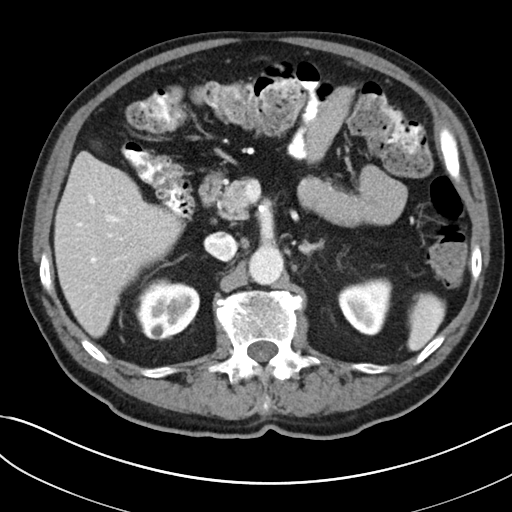
One axial slice (140 of 269, counting up from the lowest) of a contrast-enhanced abdominal CT acquired with 100 kVp, kernel I30f; each pixel is 0.732 mm and the slice is 5.00 mm thick.
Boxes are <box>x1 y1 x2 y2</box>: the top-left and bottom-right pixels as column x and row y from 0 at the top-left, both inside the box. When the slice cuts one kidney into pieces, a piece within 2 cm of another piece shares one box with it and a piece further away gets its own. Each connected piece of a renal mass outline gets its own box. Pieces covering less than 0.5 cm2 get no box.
Boxed on this slice (two kidney boxes), listed by box centre from the image's left to its right: (1) Right kidney: <box>137 279 199 339</box> (outlined area 2,901 px, about 15.6 cm2). (2) Left kidney: <box>337 277 392 335</box> (outlined area 2,385 px, about 12.8 cm2). This slice carries no renal mass outline.